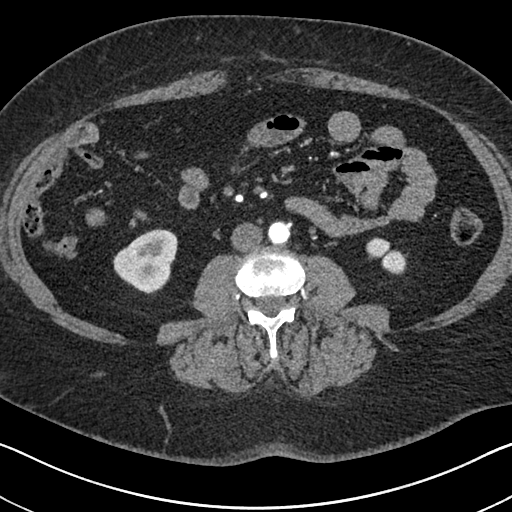
Arterial-phase contrast-enhanced abdominal CT, axial slice 296 of 591 (counted from the lowest slice); tube voltage 140 kVp, convolution kernel I30f; slices 1.00 mm thick, 0.703 mm per pixel.
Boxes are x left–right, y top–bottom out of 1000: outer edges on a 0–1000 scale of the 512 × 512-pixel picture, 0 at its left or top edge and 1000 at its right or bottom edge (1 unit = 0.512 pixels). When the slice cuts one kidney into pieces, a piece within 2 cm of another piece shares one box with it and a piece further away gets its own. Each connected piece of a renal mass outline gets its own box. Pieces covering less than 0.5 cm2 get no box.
Two kidney boxes on this slice; by box centre, from the image's left to its right: (1) Right kidney, box x 221–348, y 445–574 out of 1000 (outlined area 2,981 px, about 14.7 cm2). (2) Left kidney at x 715–797, y 463–537 out of 1000 (outlined area 928 px, about 4.6 cm2). No renal mass outline on this slice.